Abdominal CT with intravenous contrast, arterial phase, axial plane, 120 kVp, kernel FC18. Slice 157/207 from the bottom of the scan; thickness 2.00 mm; pixel size 0.741 mm.
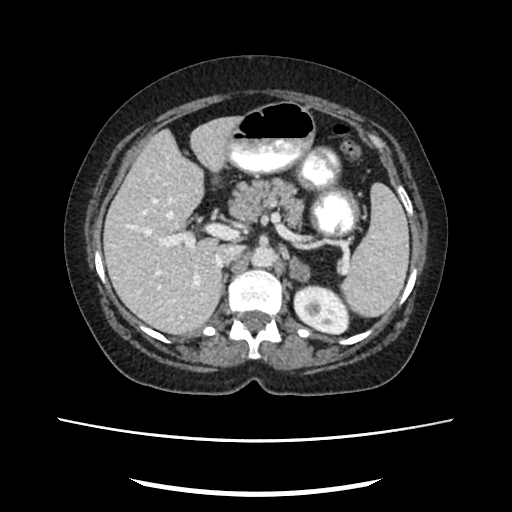
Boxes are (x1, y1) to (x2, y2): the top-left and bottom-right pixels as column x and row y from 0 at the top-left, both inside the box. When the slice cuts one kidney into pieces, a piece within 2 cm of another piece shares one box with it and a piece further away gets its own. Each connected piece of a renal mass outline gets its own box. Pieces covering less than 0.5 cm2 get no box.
Left kidney from (293, 284) to (350, 334) (outlined area 2,181 px, about 12.0 cm2). This slice carries no renal mass outline.